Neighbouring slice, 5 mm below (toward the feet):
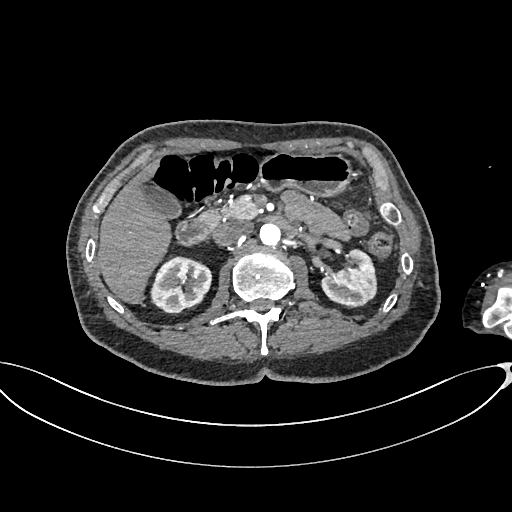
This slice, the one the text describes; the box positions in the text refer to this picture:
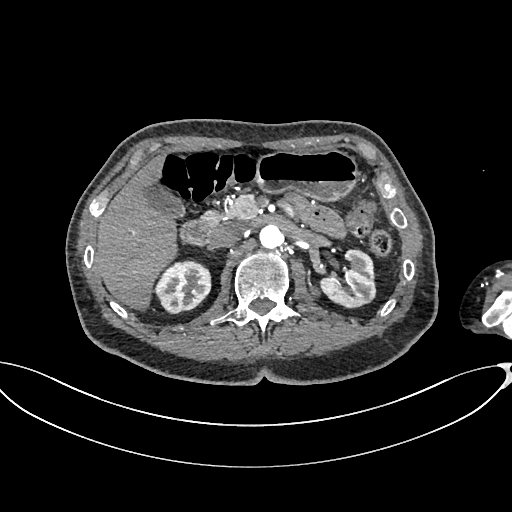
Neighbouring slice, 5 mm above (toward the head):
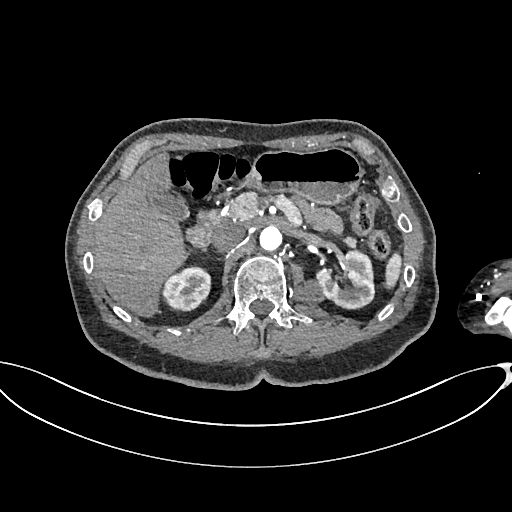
Arterial-phase contrast-enhanced abdominal CT, axial slice 430 of 665 (counted from the lowest slice); tube voltage 100 kVp, convolution kernel I26f; slices 1.00 mm thick, 0.828 mm per pixel.
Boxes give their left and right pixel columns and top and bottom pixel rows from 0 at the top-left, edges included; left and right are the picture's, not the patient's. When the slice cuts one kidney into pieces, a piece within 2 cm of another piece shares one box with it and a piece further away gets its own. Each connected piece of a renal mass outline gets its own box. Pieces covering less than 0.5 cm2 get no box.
Three boxes on this slice (two kidney boxes and one renal mass box), listed by box centre from the image's left to its right. (1) Right kidney, the box with left 155, top 260, right 211, bottom 314 (outlined area 2,355 px, about 16.2 cm2). (2) Left renal mass in the box with left 307, top 286, right 320, bottom 298 (outlined area 129 px, about 0.9 cm2). (3) Box with left 319, top 249, right 376, bottom 307: left kidney (outlined area 2,303 px, about 15.8 cm2). This slice lies near the end of the left renal mass toward the feet; the slices 5 mm below and 5 mm above it are shown too, and the boxes mark positions on this slice only.